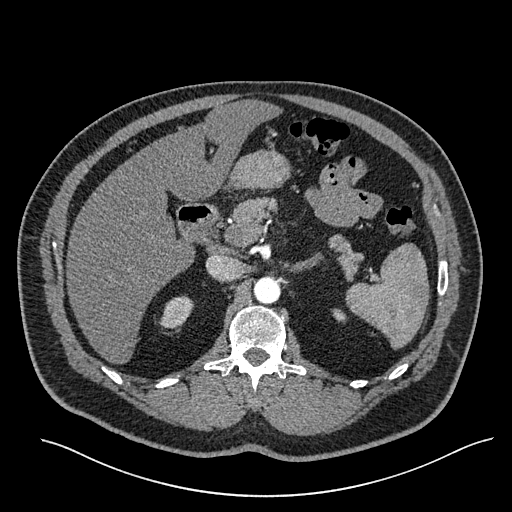
Abdominal CT with intravenous contrast, arterial phase, axial plane, 120 kVp, kernel I30f. Slice 402/527 from the bottom of the scan; thickness 1.00 mm; pixel size 0.859 mm.
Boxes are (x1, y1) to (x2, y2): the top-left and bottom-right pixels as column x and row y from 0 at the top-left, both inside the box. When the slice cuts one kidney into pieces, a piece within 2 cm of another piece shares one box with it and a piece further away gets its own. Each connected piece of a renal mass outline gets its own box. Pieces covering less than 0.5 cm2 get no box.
Boxed on this slice (two kidney boxes), listed by box centre from the image's left to its right: (1) Box (159, 295) to (194, 328): right kidney (outlined area 809 px, about 6.0 cm2). (2) Box (332, 308) to (346, 323): left kidney (outlined area 158 px, about 1.2 cm2). No renal mass outline on this slice.